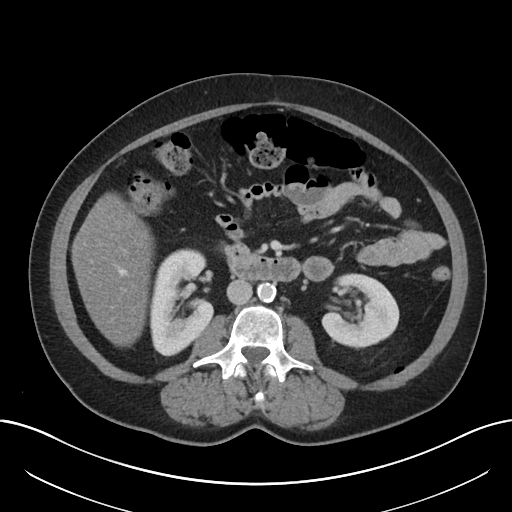
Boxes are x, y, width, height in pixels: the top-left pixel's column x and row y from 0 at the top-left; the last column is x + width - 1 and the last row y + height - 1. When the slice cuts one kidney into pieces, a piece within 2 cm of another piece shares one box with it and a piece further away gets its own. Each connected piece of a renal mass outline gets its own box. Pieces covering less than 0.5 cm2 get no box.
Slice 109/197 of a contrast-enhanced abdominal CT, counting up from the lowest; pixel size 0.791 mm, slice thickness 5.00 mm. Two kidney boxes on this slice; by box centre, from the image's left to its right: (1) Box x 149, y 248, width 66, height 108: right kidney (outlined area 5,117 px, about 32.0 cm2). (2) Left kidney, box x 323, y 273, width 77, height 77 (outlined area 4,237 px, about 26.5 cm2). No renal mass is outlined on this slice.
Scan settings: 120 kVp, I30f reconstruction kernel.